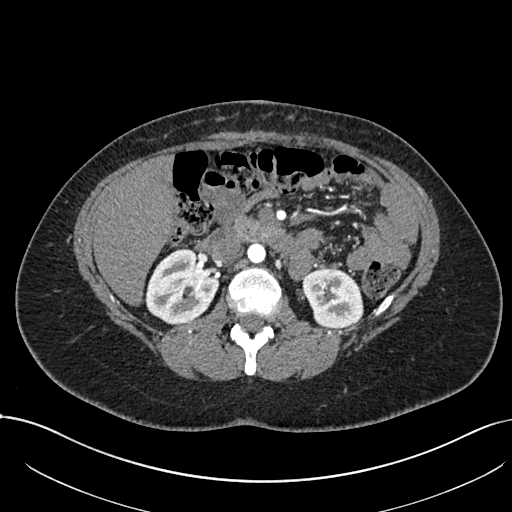
One axial slice (427 of 738, counting up from the lowest) of an arterial-phase abdominal CT acquired with 120 kVp, kernel I30f; each pixel is 0.789 mm and the slice is 1.00 mm thick.
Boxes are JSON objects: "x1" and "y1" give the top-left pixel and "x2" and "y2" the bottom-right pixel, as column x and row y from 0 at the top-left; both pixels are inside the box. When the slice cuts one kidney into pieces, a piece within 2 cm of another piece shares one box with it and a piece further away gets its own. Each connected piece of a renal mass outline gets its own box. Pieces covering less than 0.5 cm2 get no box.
Boxed on this slice (two kidney boxes), listed by box centre from the image's left to its right: (1) Right kidney, box {"x1": 145, "y1": 248, "x2": 218, "y2": 324} (outlined area 4,074 px, about 25.4 cm2). (2) Box {"x1": 302, "y1": 268, "x2": 363, "y2": 328}: left kidney (outlined area 2,906 px, about 18.1 cm2). No renal mass is outlined on this slice.